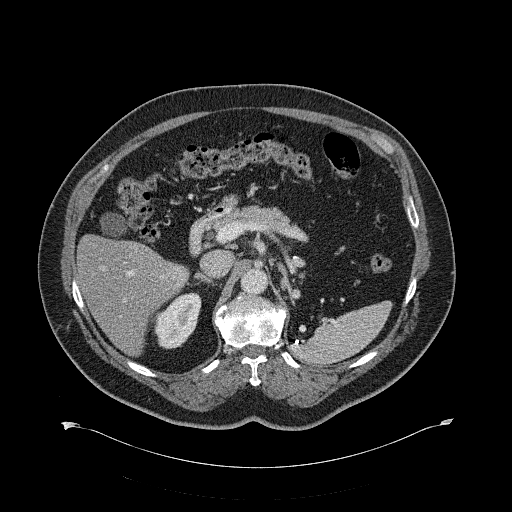
Axial slice 416 of 734 of a contrast-enhanced abdominal CT (slice 1 is the lowest), 120 kVp, kernel B31f; 2.00 mm slice thickness and 0.971 mm pixels.
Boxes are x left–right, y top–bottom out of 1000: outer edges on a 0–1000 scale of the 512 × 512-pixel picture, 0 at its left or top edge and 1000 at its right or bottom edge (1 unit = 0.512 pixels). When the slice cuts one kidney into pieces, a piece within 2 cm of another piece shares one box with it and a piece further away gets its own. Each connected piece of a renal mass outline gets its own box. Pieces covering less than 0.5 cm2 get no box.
Box x 295–395, y 570–684 out of 1000: right kidney (outlined area 1,893 px, about 17.8 cm2). This slice carries no renal mass outline.